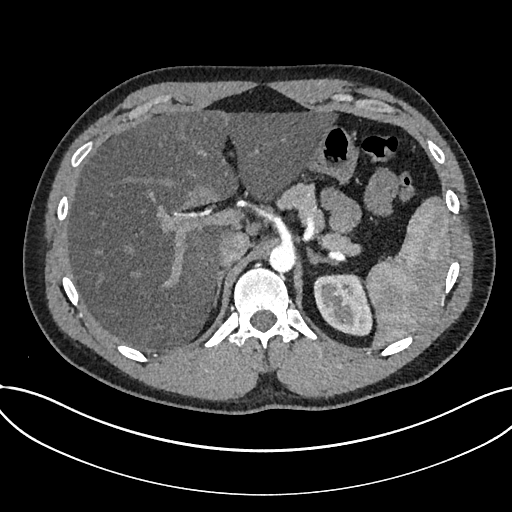
Abdominal CT with intravenous contrast, arterial phase, axial plane, 120 kVp, kernel I30f. Slice 553/735 from the bottom of the scan; thickness 1.00 mm; pixel size 0.789 mm.
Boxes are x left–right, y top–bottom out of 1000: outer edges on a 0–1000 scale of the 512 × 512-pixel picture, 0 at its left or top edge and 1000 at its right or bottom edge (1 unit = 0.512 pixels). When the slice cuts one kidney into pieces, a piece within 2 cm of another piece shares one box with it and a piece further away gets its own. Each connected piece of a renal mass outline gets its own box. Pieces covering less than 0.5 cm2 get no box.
Kidney at x 611–729, y 533–658 out of 1000 (outlined area 2,867 px, about 17.9 cm2). This slice carries no renal mass outline.